Abdominal CT with intravenous contrast, arterial phase, axial plane, 120 kVp, kernel B31f. Slice 249/620 from the bottom of the scan; thickness 2.00 mm; pixel size 0.637 mm.
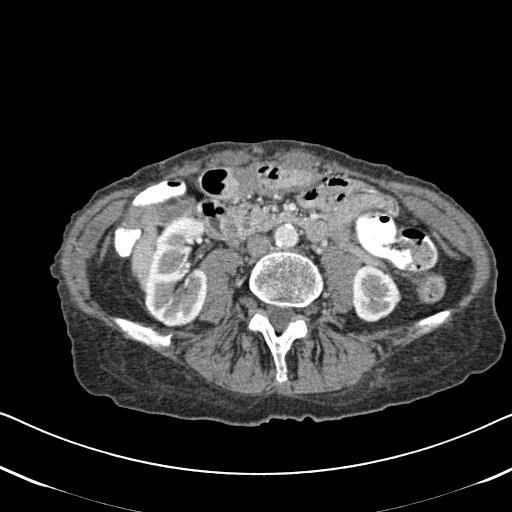
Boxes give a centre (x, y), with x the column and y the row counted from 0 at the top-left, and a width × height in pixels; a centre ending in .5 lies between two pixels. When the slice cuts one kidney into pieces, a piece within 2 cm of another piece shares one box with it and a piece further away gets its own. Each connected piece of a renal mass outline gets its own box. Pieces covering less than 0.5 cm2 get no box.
Two kidney boxes on this slice; by box centre, from the image's left to its right: (1) Right kidney, box centre (176, 271.5), 65 × 112 pixels (outlined area 5,661 px, about 23.0 cm2). (2) Left kidney, box centre (376, 293.5), 51 × 58 pixels (outlined area 2,202 px, about 8.9 cm2). No renal mass outline on this slice.